Contrast-enhanced abdominal CT, axial slice 63 of 90 (counted from the lowest slice); tube voltage 120 kVp, convolution kernel B31f; slices 5.00 mm thick, 0.707 mm per pixel.
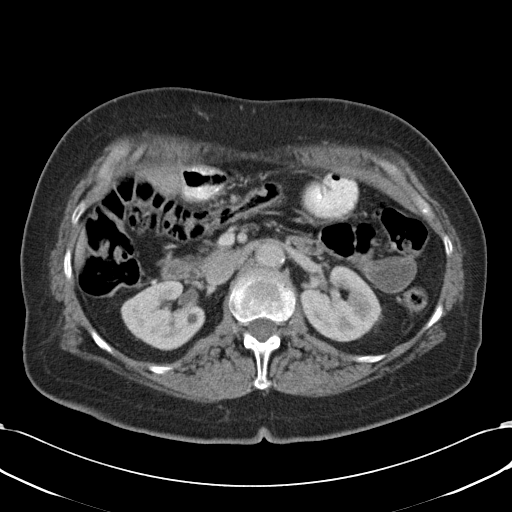
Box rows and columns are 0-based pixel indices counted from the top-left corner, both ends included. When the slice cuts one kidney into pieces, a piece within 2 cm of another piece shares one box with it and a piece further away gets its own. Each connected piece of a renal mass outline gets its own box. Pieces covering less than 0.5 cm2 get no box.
Boxed on this slice (two kidney boxes), listed by box centre from the image's left to its right: (1) Box rows 281–350, columns 120–205: right kidney (outlined area 4,189 px, about 20.9 cm2). (2) Box rows 266–340, columns 300–380: left kidney (outlined area 4,142 px, about 20.7 cm2). No renal mass outline on this slice.